Axial slice 346 of 433 of a contrast-enhanced abdominal CT (slice 1 is the lowest), 120 kVp, kernel B30f; 1.00 mm slice thickness and 0.672 mm pixels.
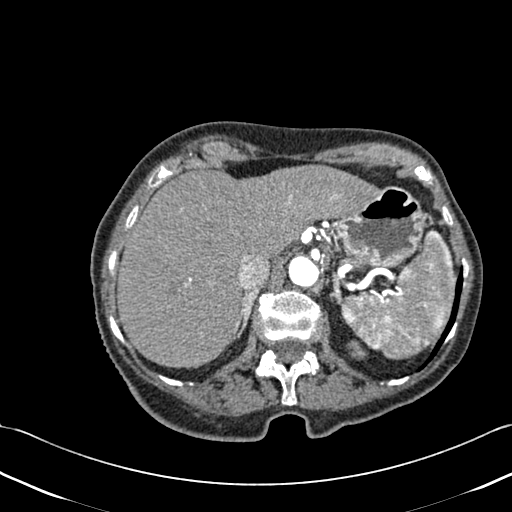
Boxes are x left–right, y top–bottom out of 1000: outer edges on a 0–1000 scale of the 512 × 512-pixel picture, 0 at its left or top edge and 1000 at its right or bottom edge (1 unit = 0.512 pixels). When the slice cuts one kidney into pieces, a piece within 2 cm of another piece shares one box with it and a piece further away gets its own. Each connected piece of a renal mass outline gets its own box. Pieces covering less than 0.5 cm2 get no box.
Left kidney at x 676–719, y 664–703 out of 1000 (outlined area 279 px, about 1.3 cm2). No renal mass outline on this slice.